Axial slice 261 of 670 of a contrast-enhanced abdominal CT in the arterial phase (slice 1 is the lowest), 120 kVp, kernel I30f; 1.00 mm slice thickness and 0.861 mm pixels.
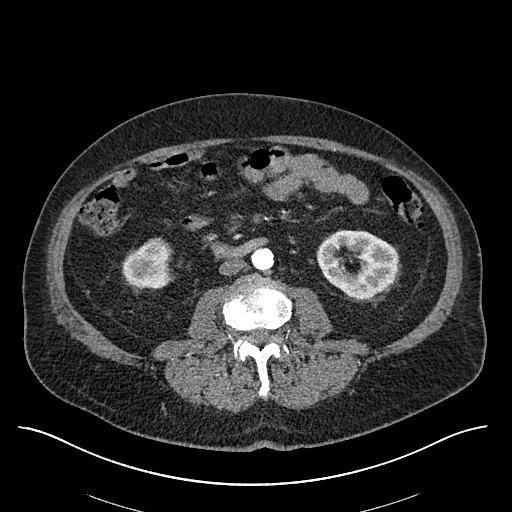
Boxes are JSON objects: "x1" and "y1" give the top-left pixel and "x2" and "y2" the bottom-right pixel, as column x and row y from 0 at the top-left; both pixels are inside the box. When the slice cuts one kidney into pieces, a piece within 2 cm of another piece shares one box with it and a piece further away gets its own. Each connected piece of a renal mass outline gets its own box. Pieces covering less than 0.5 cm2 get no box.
Boxed on this slice (two kidney boxes), listed by box centre from the image's left to its right: (1) Box {"x1": 122, "y1": 237, "x2": 171, "y2": 288}: right kidney (outlined area 1,963 px, about 14.6 cm2). (2) Left kidney at {"x1": 316, "y1": 229, "x2": 398, "y2": 299} (outlined area 4,121 px, about 30.6 cm2). No renal mass outline on this slice.